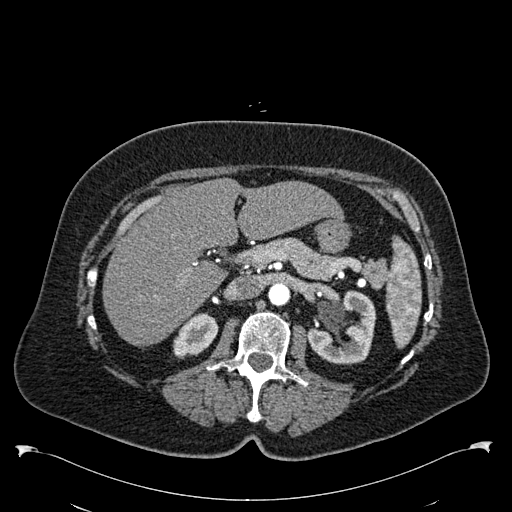
One axial slice (364 of 538, counting up from the lowest) of an arterial-phase abdominal CT acquired with 120 kVp, kernel B30f; each pixel is 0.811 mm and the slice is 1.00 mm thick.
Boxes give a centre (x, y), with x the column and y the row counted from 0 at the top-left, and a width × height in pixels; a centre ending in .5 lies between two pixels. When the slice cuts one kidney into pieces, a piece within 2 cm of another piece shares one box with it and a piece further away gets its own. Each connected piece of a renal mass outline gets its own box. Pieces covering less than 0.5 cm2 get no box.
Two kidney boxes on this slice; by box centre, from the image's left to its right: (1) Box centre (195.5, 335.5), 46 × 46 pixels: right kidney (outlined area 1,424 px, about 9.4 cm2). (2) Left kidney in a box with centre (340.5, 326.5), 70 × 74 pixels (outlined area 3,587 px, about 23.6 cm2). No renal mass is outlined on this slice.